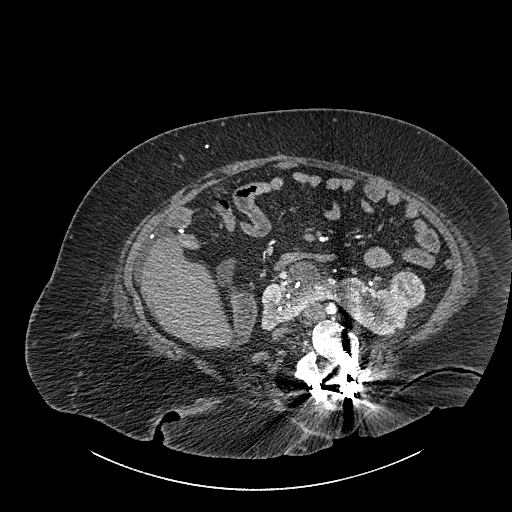
Contrast-enhanced abdominal CT, axial slice 492 of 834 (counted from the lowest slice); tube voltage 140 kVp, convolution kernel I30f; slices 1.00 mm thick, 0.977 mm per pixel.
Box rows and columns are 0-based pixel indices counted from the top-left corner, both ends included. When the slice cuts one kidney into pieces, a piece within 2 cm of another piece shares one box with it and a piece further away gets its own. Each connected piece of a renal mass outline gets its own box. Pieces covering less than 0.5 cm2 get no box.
Two boxes on this slice (one kidney box and one renal mass box), listed by box centre from the image's left to its right. (1) Box rows 261–337, columns 261–414: kidney crossing the body midline (outlined area 5,598 px, about 53.4 cm2). (2) Renal mass at rows 270–307, columns 388–424 (outlined area 1,105 px, about 10.5 cm2).